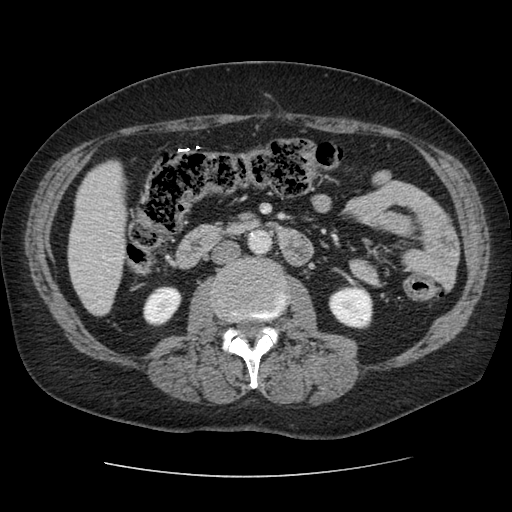
One axial slice (34 of 96, counting up from the lowest) of an arterial-phase abdominal CT acquired with 120 kVp, kernel STANDARD; each pixel is 0.689 mm and the slice is 2.50 mm thick.
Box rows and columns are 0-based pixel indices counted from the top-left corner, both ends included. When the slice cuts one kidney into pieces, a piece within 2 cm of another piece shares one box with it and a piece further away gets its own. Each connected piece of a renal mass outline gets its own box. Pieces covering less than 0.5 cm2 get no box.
Two kidney boxes on this slice; by box centre, from the image's left to its right: (1) Right kidney, box rows 286–326, columns 143–181 (outlined area 1,166 px, about 5.5 cm2). (2) Left kidney at rows 287–329, columns 328–373 (outlined area 1,537 px, about 7.3 cm2). No renal mass outline on this slice.